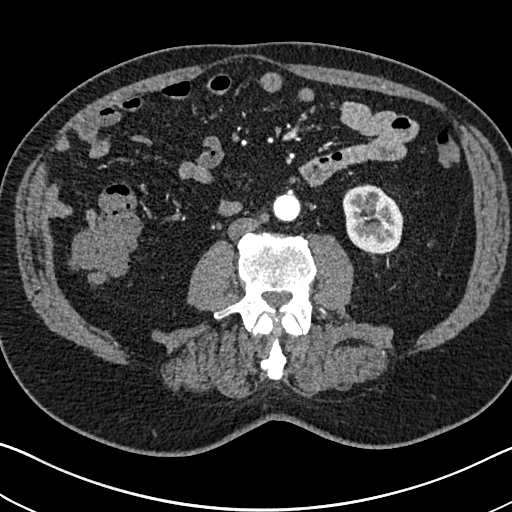
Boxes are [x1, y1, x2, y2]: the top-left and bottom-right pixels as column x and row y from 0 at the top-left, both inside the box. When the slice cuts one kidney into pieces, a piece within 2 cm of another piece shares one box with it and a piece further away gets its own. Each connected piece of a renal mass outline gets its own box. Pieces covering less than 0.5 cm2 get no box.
This is axial slice 311 of 705 (slice 1 is the lowest) of an arterial-phase abdominal CT with contrast; each pixel is 0.703 mm and the slice is 1.00 mm thick. Left kidney, box [342, 184, 403, 254] (outlined area 3,370 px, about 16.7 cm2). No renal mass outline on this slice.
Tube voltage 120 kVp; convolution kernel I30f.